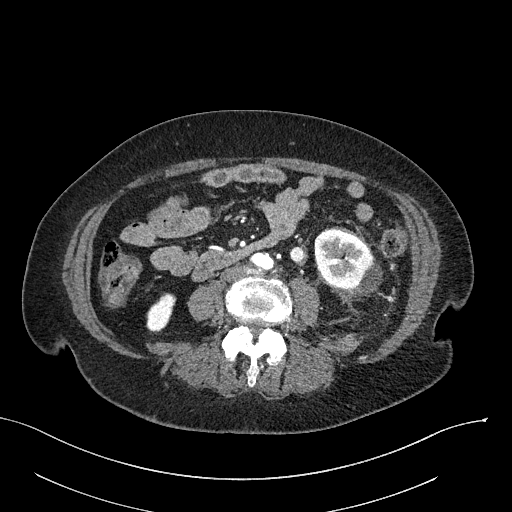
Arterial-phase contrast-enhanced abdominal CT, axial slice 86 of 316 (counted from the lowest slice); tube voltage 100 kVp, convolution kernel I40f; slices 2.00 mm thick, 0.840 mm per pixel.
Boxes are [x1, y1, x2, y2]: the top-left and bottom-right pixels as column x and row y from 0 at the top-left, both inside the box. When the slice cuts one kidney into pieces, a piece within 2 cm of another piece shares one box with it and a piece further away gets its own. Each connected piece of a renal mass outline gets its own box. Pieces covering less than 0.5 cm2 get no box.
Boxed on this slice (two kidney boxes), listed by box centre from the image's left to its right: (1) Right kidney at [146, 292, 176, 333] (outlined area 810 px, about 5.7 cm2). (2) Box [314, 229, 382, 291]: left kidney (outlined area 3,204 px, about 22.6 cm2). No renal mass outline on this slice.